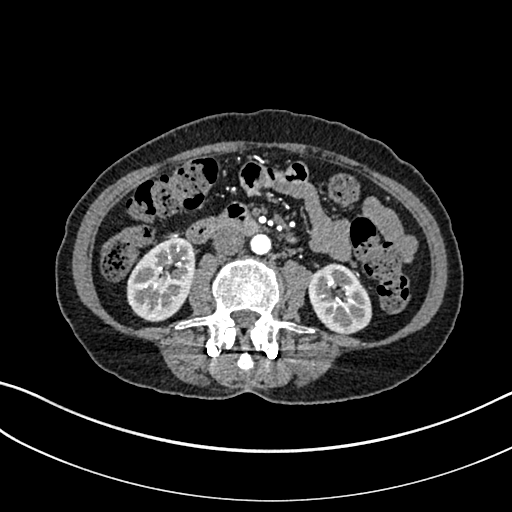
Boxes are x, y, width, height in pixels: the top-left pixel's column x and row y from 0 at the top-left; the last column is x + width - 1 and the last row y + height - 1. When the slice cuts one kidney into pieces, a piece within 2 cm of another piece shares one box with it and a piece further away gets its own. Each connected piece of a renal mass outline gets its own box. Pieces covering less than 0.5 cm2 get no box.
Arterial-phase contrast-enhanced abdominal CT, axial slice 110 of 325 (counted from the lowest slice); 1.00 mm thick, 0.703 mm per pixel. Boxed on this slice (two kidney boxes), listed by box centre from the image's left to its right: (1) Right kidney at x 126, y 235, width 70, height 88 (outlined area 4,371 px, about 21.6 cm2). (2) Left kidney, box x 308, y 263, width 65, height 72 (outlined area 3,429 px, about 17.0 cm2). This slice carries no renal mass outline.
Acquired at 100 kVp and reconstructed with the I30f kernel.